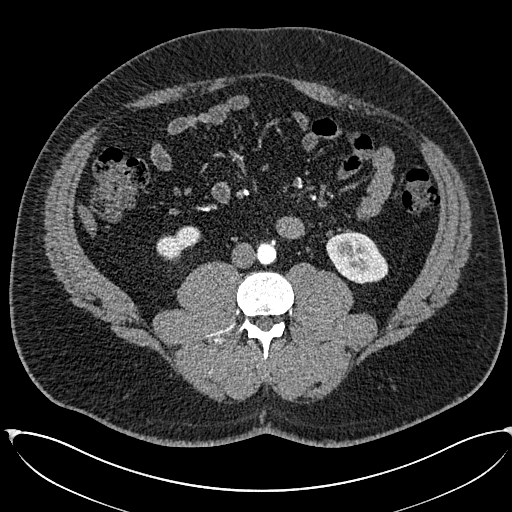
Abdominal CT with intravenous contrast, arterial phase, axial plane, 120 kVp, kernel I30f. Slice 249/673 from the bottom of the scan; thickness 1.00 mm; pixel size 0.855 mm.
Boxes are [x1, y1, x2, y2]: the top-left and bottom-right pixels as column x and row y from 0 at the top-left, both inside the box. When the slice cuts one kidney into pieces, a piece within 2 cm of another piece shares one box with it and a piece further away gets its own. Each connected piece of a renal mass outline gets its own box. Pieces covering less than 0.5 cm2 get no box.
Two kidney boxes on this slice; by box centre, from the image's left to its right: (1) Right kidney, box [156, 226, 200, 258] (outlined area 929 px, about 6.8 cm2). (2) Box [326, 232, 388, 284]: left kidney (outlined area 2,378 px, about 17.4 cm2). No renal mass is outlined on this slice.